Axial slice 216 of 274 of a contrast-enhanced abdominal CT (slice 1 is the lowest), 120 kVp, kernel B31f; 2.00 mm slice thickness and 0.977 mm pixels.
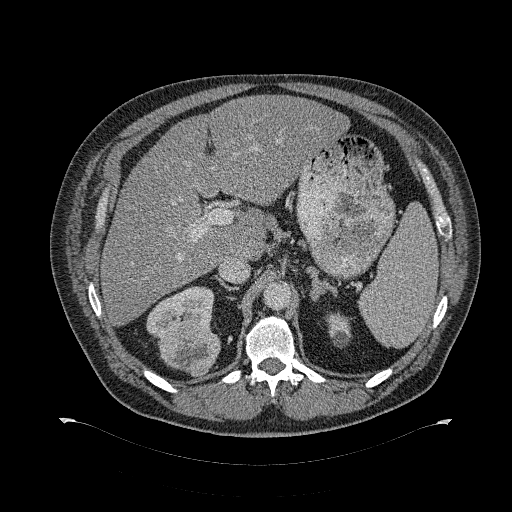
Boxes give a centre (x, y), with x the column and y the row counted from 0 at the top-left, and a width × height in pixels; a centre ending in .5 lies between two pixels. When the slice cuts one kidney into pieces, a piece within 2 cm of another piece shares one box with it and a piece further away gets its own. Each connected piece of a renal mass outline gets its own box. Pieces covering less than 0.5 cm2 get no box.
Three boxes on this slice (two kidney boxes and one renal mass box), listed by box centre from the image's left to its right. (1) Right kidney in a box with centre (180, 312.5), 67 × 54 pixels (outlined area 2,096 px, about 20.0 cm2). (2) Right renal mass, box centre (189.5, 348), 62 × 57 pixels (outlined area 2,601 px, about 24.8 cm2). (3) Left kidney, box centre (338.5, 330), 26 × 37 pixels (outlined area 688 px, about 6.6 cm2).